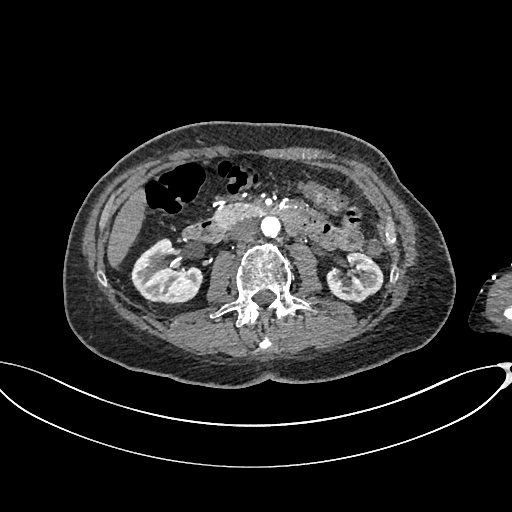
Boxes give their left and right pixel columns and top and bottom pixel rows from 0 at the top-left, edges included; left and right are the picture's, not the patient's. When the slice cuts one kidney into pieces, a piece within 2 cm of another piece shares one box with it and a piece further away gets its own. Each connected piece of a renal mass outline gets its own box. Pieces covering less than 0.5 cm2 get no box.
Arterial-phase contrast-enhanced abdominal CT, axial slice 373 of 665 (counted from the lowest slice); 1.00 mm thick, 0.828 mm per pixel. Boxed on this slice (two kidney boxes), listed by box centre from the image's left to its right: (1) Right kidney, the box with left 131, top 238, right 203, bottom 303 (outlined area 3,313 px, about 22.7 cm2). (2) Box with left 326, top 252, right 383, bottom 302: left kidney (outlined area 2,121 px, about 14.5 cm2). No renal mass outline on this slice.
Scan settings: 100 kVp, I26f reconstruction kernel.